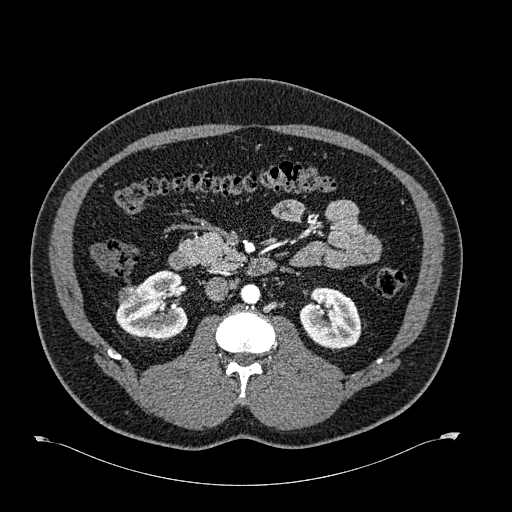
Arterial-phase contrast-enhanced abdominal CT, axial slice 350 of 723 (counted from the lowest slice); tube voltage 120 kVp, convolution kernel B30f; slices 1.00 mm thick, 0.895 mm per pixel.
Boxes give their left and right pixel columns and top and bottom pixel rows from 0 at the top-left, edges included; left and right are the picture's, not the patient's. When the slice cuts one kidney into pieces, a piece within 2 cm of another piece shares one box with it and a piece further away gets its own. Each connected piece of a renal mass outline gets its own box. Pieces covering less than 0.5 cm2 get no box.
Boxed on this slice (two kidney boxes and one renal mass box), listed by box centre from the image's left to its right: (1) Box with left 118, top 284, right 138, bottom 304: right renal mass (outlined area 317 px, about 2.5 cm2). (2) Right kidney, the box with left 115, top 270, right 188, bottom 340 (outlined area 3,518 px, about 28.2 cm2). (3) Box with left 299, top 287, right 361, bottom 348: left kidney (outlined area 2,932 px, about 23.5 cm2).